One axial slice (125 of 316, counting up from the lowest) of an arterial-phase abdominal CT acquired with 100 kVp, kernel I40f; each pixel is 0.840 mm and the slice is 2.00 mm thick.
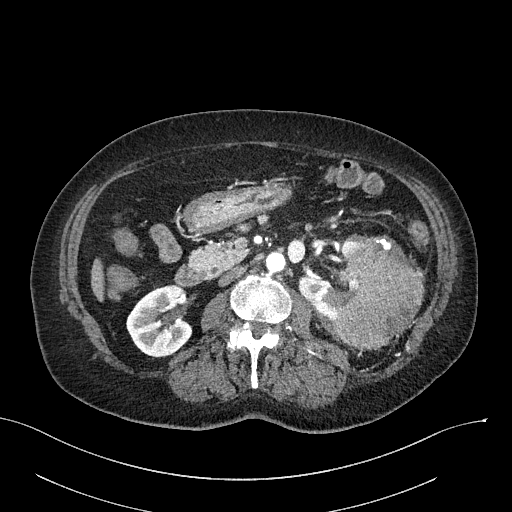
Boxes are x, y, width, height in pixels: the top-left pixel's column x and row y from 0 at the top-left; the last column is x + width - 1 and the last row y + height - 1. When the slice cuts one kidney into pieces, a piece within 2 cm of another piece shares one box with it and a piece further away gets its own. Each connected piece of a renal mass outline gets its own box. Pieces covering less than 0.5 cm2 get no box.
Two kidney boxes and one renal mass box on this slice; by box centre, from the image's left to its right: (1) Right kidney, box x 126, y 285, width 67, height 73 (outlined area 3,551 px, about 25.0 cm2). (2) Left kidney, box x 298, y 234, width 71, height 88 (outlined area 2,776 px, about 19.6 cm2). (3) Left renal mass, box x 332, y 235, width 93, height 114 (outlined area 7,049 px, about 49.7 cm2).